Abdominal CT with intravenous contrast, arterial phase, axial plane, 120 kVp, kernel B20f. Slice 425/553 from the bottom of the scan; thickness 1.00 mm; pixel size 0.773 mm.
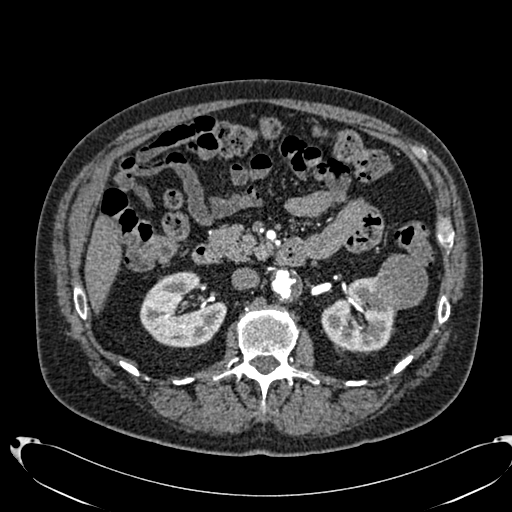
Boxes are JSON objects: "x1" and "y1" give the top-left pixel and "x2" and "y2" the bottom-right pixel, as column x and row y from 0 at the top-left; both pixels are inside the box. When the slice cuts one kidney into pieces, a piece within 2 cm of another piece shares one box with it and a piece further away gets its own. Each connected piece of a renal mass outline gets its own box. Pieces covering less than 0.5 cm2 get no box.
Boxed on this slice (two kidney boxes and one renal mass box), listed by box centre from the image's left to its right: (1) Right kidney at {"x1": 140, "y1": 271, "x2": 226, "y2": 348} (outlined area 4,723 px, about 28.3 cm2). (2) Box {"x1": 321, "y1": 277, "x2": 397, "y2": 352}: left kidney (outlined area 3,642 px, about 21.8 cm2). (3) Left renal mass, box {"x1": 370, "y1": 254, "x2": 428, "y2": 309} (outlined area 2,513 px, about 15.0 cm2).